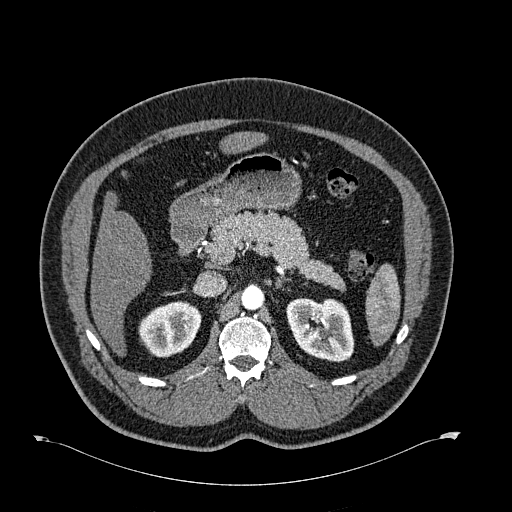
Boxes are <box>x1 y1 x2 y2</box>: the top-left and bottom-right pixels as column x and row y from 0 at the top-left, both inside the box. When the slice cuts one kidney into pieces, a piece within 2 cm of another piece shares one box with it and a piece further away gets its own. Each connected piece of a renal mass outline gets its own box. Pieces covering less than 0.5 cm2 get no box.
Arterial-phase contrast-enhanced abdominal CT, axial slice 427 of 723 (counted from the lowest slice); 1.00 mm thick, 0.895 mm per pixel. Two boxes on this slice (two kidney boxes), listed by box centre from the image's left to its right. (1) At <box>138 301 201 357</box>: right kidney (outlined area 2,656 px, about 21.3 cm2). (2) Left kidney: <box>286 297 354 362</box> (outlined area 3,440 px, about 27.5 cm2). This slice carries no renal mass outline.
Scan settings: 120 kVp, B30f reconstruction kernel.